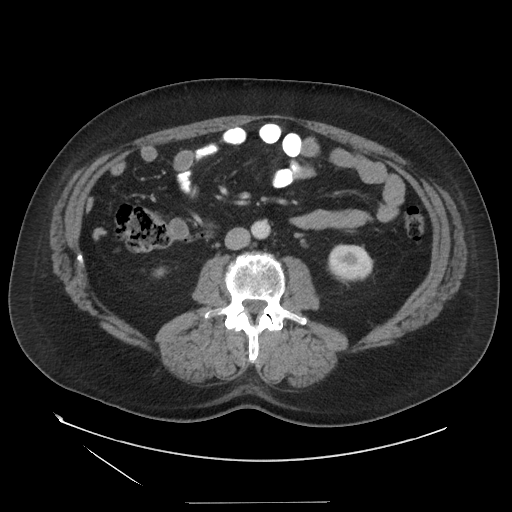
Axial slice 67 of 129 of a contrast-enhanced abdominal CT in the arterial phase (slice 1 is the lowest), 140 kVp, kernel STANDARD; 3.75 mm slice thickness and 0.938 mm pixels.
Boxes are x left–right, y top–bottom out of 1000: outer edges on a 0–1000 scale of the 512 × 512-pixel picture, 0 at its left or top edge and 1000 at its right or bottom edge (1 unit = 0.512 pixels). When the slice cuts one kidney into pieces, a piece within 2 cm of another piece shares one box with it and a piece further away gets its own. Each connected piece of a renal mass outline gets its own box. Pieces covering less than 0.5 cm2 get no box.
Boxed on this slice (two kidney boxes), listed by box centre from the image's left to its right: (1) Right kidney at x 299–326, y 521–543 out of 1000 (outlined area 99 px, about 0.9 cm2). (2) Box x 639–730, y 477–551 out of 1000: left kidney (outlined area 1,438 px, about 12.6 cm2). No renal mass is outlined on this slice.